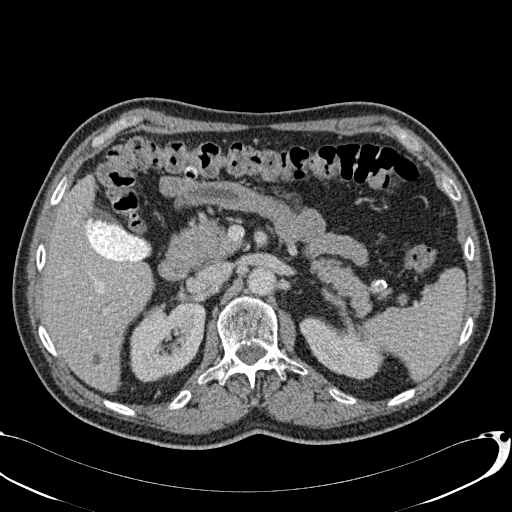
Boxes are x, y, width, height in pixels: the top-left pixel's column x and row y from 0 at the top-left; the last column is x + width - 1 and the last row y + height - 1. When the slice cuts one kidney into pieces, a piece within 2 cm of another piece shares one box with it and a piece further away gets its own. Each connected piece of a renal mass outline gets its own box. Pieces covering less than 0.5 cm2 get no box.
This is axial slice 57 of 113 (slice 1 is the lowest) of an abdominal CT with contrast; each pixel is 0.742 mm and the slice is 2.00 mm thick. Two boxes on this slice (two kidney boxes), listed by box centre from the image's left to its right. (1) Right kidney, box x 129, y 302, width 78, height 81 (outlined area 4,576 px, about 25.2 cm2). (2) Box x 299, y 316, width 87, height 65: left kidney (outlined area 3,131 px, about 17.2 cm2). This slice carries no renal mass outline.
Acquired at 120 kVp and reconstructed with the B31f kernel.